One axial slice (114 of 316, counting up from the lowest) of an arterial-phase abdominal CT acquired with 100 kVp, kernel I40f; each pixel is 0.840 mm and the slice is 2.00 mm thick.
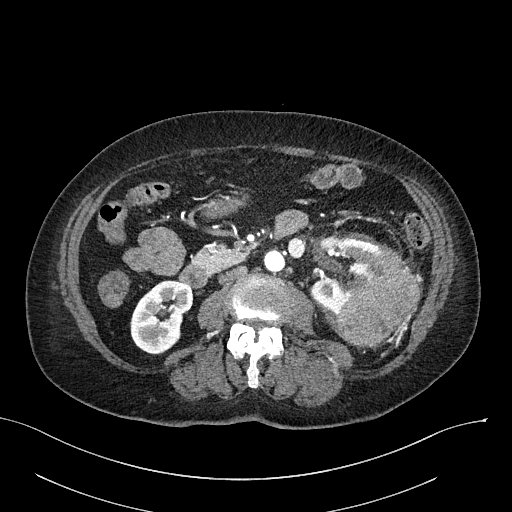
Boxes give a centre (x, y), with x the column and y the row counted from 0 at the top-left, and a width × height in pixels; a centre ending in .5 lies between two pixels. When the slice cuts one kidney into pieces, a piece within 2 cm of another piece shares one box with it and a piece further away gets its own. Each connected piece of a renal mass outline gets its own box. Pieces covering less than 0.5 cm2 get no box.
Boxed on this slice (two kidney boxes and one renal mass box), listed by box centre from the image's left to its right: (1) Box centre (161, 317), 63 × 75 pixels: right kidney (outlined area 3,390 px, about 23.9 cm2). (2) Box centre (344.5, 275.5), 70 × 80 pixels: left kidney (outlined area 3,148 px, about 22.2 cm2). (3) Left renal mass in a box with centre (378.5, 295), 86 × 103 pixels (outlined area 5,374 px, about 37.9 cm2).